Arterial-phase contrast-enhanced abdominal CT, axial slice 771 of 987 (counted from the lowest slice); tube voltage 120 kVp, convolution kernel I26f; slices 1.00 mm thick, 0.977 mm per pixel.
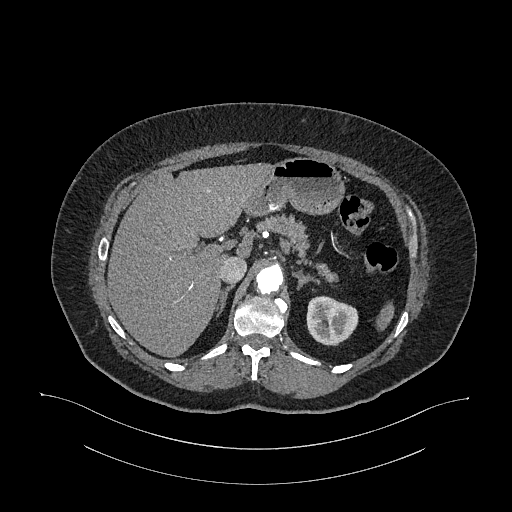
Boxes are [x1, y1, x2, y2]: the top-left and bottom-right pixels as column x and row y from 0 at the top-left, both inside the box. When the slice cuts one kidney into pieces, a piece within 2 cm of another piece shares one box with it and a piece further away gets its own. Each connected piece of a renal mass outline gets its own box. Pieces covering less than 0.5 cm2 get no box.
Left kidney at [306, 296, 358, 345] (outlined area 2,038 px, about 19.4 cm2). No renal mass outline on this slice.